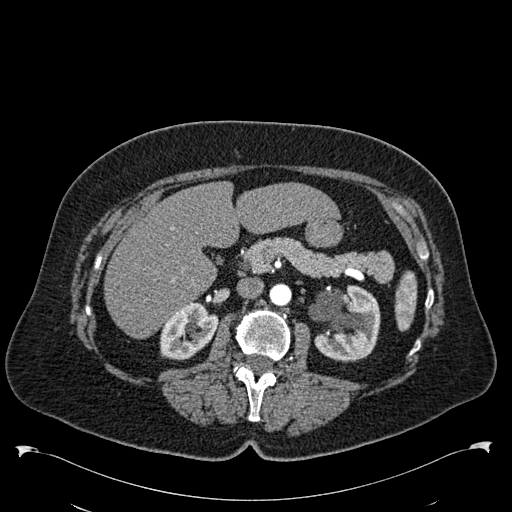
One axial slice (342 of 538, counting up from the lowest) of an arterial-phase abdominal CT acquired with 120 kVp, kernel B30f; each pixel is 0.811 mm and the slice is 1.00 mm thick.
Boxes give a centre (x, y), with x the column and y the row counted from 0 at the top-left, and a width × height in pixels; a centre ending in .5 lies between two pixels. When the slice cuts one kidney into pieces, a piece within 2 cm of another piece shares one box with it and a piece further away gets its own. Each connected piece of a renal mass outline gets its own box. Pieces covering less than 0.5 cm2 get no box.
Two boxes on this slice (two kidney boxes), listed by box centre from the image's left to its right. (1) Right kidney in a box with centre (188.5, 330.5), 60 × 60 pixels (outlined area 2,436 px, about 16.0 cm2). (2) Left kidney in a box with centre (344.5, 323), 72 × 77 pixels (outlined area 4,145 px, about 27.2 cm2). No renal mass is outlined on this slice.